One axial slice (536 of 787, counting up from the lowest) of a contrast-enhanced abdominal CT acquired with 140 kVp, kernel I30f; each pixel is 0.910 mm and the slice is 1.00 mm thick.
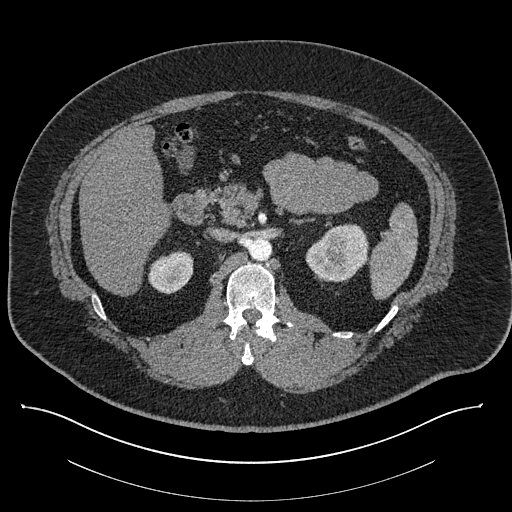
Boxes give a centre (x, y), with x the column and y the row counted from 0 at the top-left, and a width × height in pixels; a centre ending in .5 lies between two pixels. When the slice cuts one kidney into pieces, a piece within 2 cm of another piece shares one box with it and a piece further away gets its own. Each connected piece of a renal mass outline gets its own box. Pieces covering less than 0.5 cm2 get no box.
Two kidney boxes on this slice; by box centre, from the image's left to its right: (1) Right kidney in a box with centre (170.5, 271.5), 46 × 46 pixels (outlined area 1,508 px, about 12.5 cm2). (2) Box centre (337, 252.5), 65 × 60 pixels: left kidney (outlined area 2,768 px, about 22.9 cm2). No renal mass outline on this slice.